Axial slice 363 of 670 of a contrast-enhanced abdominal CT in the arterial phase (slice 1 is the lowest), 120 kVp, kernel I30f; 1.00 mm slice thickness and 0.861 mm pixels.
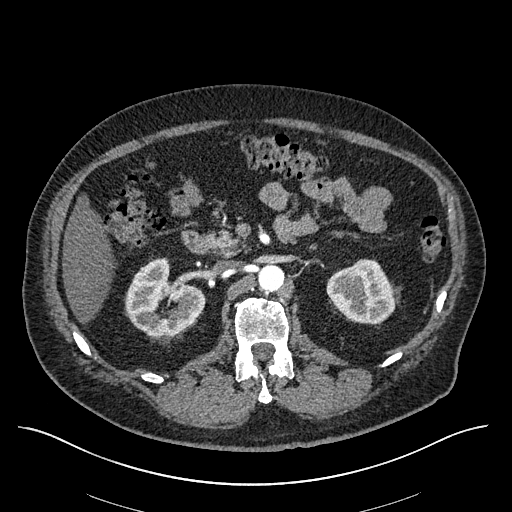
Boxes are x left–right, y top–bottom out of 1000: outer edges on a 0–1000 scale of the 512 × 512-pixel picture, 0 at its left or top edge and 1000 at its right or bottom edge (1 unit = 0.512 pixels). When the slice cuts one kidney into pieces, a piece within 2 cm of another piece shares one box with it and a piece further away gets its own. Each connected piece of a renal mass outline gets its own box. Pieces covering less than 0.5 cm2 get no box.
Boxed on this slice (two kidney boxes), listed by box centre from the image's left to its right: (1) Right kidney, box x 242–402, y 500–660 out of 1000 (outlined area 4,392 px, about 32.6 cm2). (2) Left kidney at x 637–787, y 504–633 out of 1000 (outlined area 3,450 px, about 25.6 cm2). This slice carries no renal mass outline.